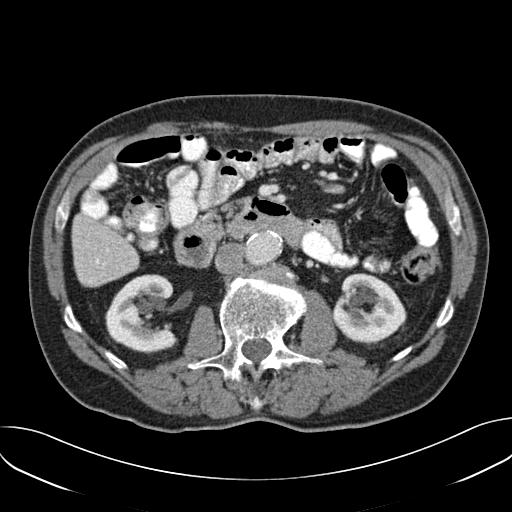
Arterial-phase contrast-enhanced abdominal CT, axial slice 98 of 157 (counted from the lowest slice); tube voltage 120 kVp, convolution kernel B30f; slices 3.00 mm thick, 0.742 mm per pixel.
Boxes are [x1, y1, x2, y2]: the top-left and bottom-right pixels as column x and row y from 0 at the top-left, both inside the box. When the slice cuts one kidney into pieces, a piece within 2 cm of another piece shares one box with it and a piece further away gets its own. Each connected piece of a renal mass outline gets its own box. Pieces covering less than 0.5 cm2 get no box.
Boxed on this slice (two kidney boxes), listed by box centre from the image's left to its right: (1) Box [105, 274, 177, 352]: right kidney (outlined area 4,105 px, about 22.6 cm2). (2) Box [332, 273, 406, 343]: left kidney (outlined area 3,814 px, about 21.0 cm2). No renal mass is outlined on this slice.